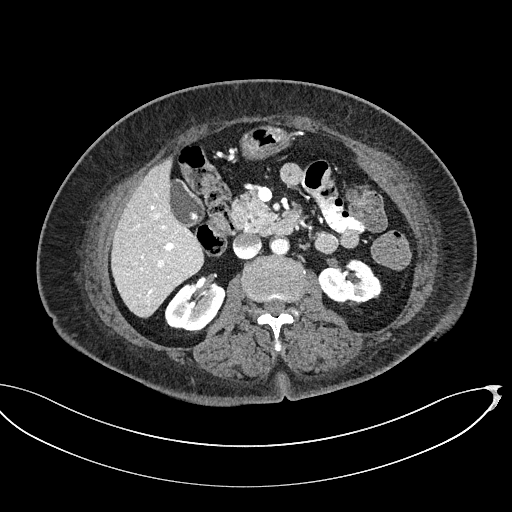
One axial slice (292 of 439, counting up from the lowest) of a contrast-enhanced abdominal CT acquired with 100 kVp, kernel I40f; each pixel is 0.850 mm and the slice is 2.00 mm thick.
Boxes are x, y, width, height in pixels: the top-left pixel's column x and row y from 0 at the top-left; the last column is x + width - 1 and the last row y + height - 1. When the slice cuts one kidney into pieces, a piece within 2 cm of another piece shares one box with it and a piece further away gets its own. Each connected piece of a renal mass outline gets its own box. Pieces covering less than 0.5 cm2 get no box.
Boxed on this slice (two kidney boxes), listed by box centre from the image's left to its right: (1) Right kidney, box x 164, y 283, width 62, height 51 (outlined area 2,217 px, about 16.0 cm2). (2) Left kidney, box x 318, y 259, width 65, height 47 (outlined area 2,136 px, about 15.4 cm2). No renal mass outline on this slice.